Abdominal CT with intravenous contrast, arterial phase, axial plane, 120 kVp, kernel B30f. Slice 339/538 from the bottom of the scan; thickness 1.00 mm; pixel size 0.811 mm.
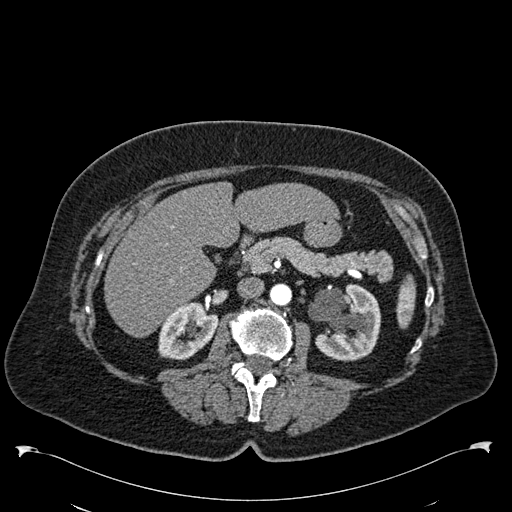
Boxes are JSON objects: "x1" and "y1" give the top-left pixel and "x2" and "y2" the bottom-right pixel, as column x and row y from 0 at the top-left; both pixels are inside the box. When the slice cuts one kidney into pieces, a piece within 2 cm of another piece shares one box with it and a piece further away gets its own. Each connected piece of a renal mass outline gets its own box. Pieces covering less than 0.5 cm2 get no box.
Two boxes on this slice (two kidney boxes), listed by box centre from the image's left to its right. (1) Right kidney at {"x1": 157, "y1": 301, "x2": 218, "y2": 360} (outlined area 2,465 px, about 16.2 cm2). (2) Left kidney, box {"x1": 308, "y1": 284, "x2": 380, "y2": 361} (outlined area 4,185 px, about 27.5 cm2). This slice carries no renal mass outline.